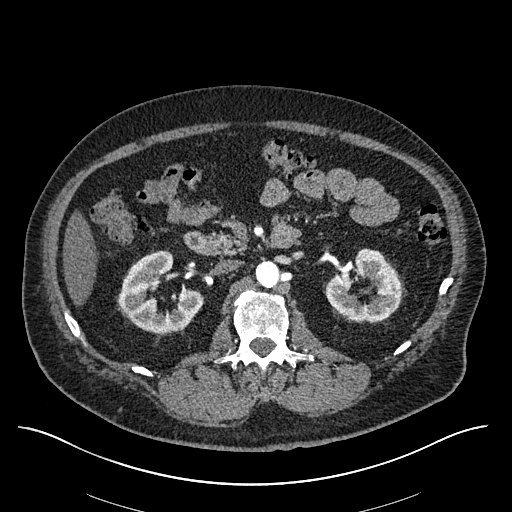
Axial slice 344 of 670 of a contrast-enhanced abdominal CT in the arterial phase (slice 1 is the lowest), 120 kVp, kernel I30f; 1.00 mm slice thickness and 0.861 mm pixels.
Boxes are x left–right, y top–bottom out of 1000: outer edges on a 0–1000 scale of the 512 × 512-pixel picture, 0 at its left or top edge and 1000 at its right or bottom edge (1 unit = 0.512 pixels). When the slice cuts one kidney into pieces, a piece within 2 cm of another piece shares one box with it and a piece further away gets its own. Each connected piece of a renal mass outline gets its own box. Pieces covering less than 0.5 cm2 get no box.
Two kidney boxes on this slice; by box centre, from the image's left to its right: (1) Box x 230–400, y 488–650 out of 1000: right kidney (outlined area 4,248 px, about 31.5 cm2). (2) Left kidney at x 635–787, y 484–633 out of 1000 (outlined area 3,869 px, about 28.7 cm2). No renal mass outline on this slice.